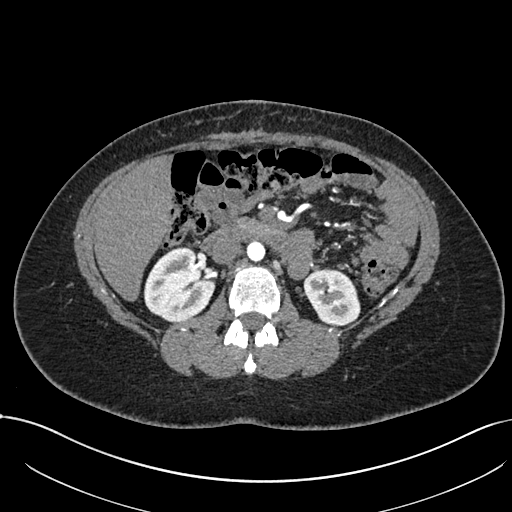
Arterial-phase contrast-enhanced abdominal CT, axial slice 418 of 738 (counted from the lowest slice); tube voltage 120 kVp, convolution kernel I30f; slices 1.00 mm thick, 0.789 mm per pixel.
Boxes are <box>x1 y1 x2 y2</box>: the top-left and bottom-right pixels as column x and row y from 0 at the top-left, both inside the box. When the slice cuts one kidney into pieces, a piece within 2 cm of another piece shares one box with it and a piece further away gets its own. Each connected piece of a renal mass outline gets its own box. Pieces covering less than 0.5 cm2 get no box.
Two kidney boxes on this slice; by box centre, from the image's left to its right: (1) At <box>143 247 215 321</box>: right kidney (outlined area 4,009 px, about 25.0 cm2). (2) Left kidney: <box>303 268 360 325</box> (outlined area 2,488 px, about 15.5 cm2). This slice carries no renal mass outline.